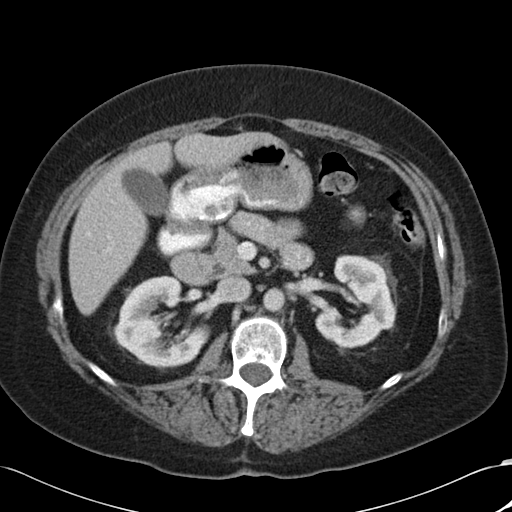
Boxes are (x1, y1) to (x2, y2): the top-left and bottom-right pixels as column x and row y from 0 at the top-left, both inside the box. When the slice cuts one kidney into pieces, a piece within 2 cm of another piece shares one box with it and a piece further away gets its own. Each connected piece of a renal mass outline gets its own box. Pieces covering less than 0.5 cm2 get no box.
Arterial-phase contrast-enhanced abdominal CT, axial slice 62 of 88 (counted from the lowest slice); 5.00 mm thick, 0.691 mm per pixel. Two kidney boxes on this slice; by box centre, from the image's left to its right: (1) Box (112, 275) to (210, 370): right kidney (outlined area 5,714 px, about 27.3 cm2). (2) Left kidney, box (315, 255) to (396, 348) (outlined area 4,993 px, about 23.9 cm2). No renal mass is outlined on this slice.
Acquired at 120 kVp and reconstructed with the B30f kernel.